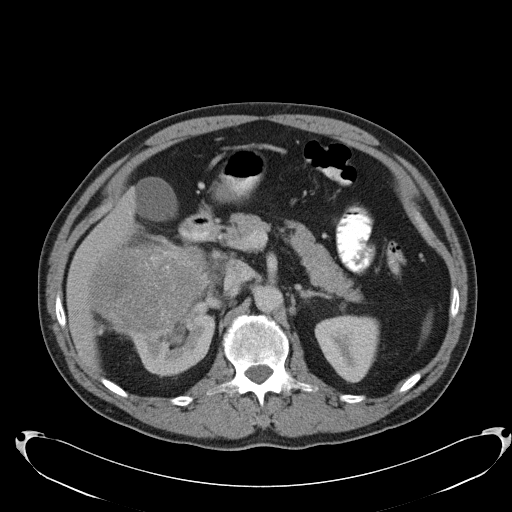
Axial slice 71 of 103 of a contrast-enhanced abdominal CT (slice 1 is the lowest), 120 kVp, kernel B31f; 5.00 mm slice thickness and 0.801 mm pixels.
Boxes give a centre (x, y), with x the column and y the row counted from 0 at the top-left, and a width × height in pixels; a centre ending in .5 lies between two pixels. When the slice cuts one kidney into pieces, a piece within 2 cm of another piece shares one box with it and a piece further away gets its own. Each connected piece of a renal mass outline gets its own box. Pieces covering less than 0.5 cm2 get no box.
Two kidney boxes and one renal mass box on this slice; by box centre, from the image's left to its right: (1) Right renal mass, box centre (148, 288.5), 121 × 92 pixels (outlined area 8,822 px, about 56.6 cm2). (2) Right kidney in a box with centre (170, 337), 91 × 79 pixels (outlined area 3,670 px, about 23.5 cm2). (3) Left kidney in a box with centre (346.5, 348), 66 × 69 pixels (outlined area 3,325 px, about 21.3 cm2).